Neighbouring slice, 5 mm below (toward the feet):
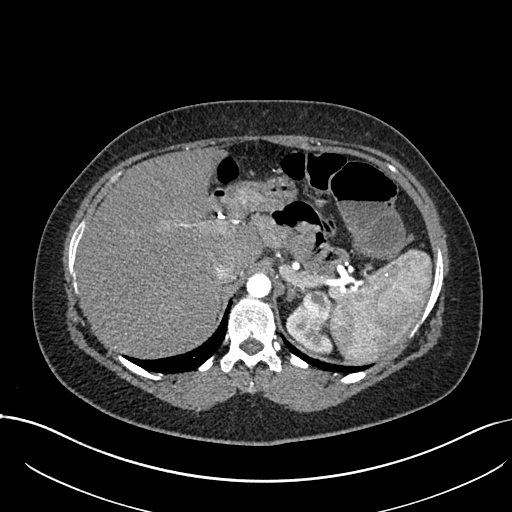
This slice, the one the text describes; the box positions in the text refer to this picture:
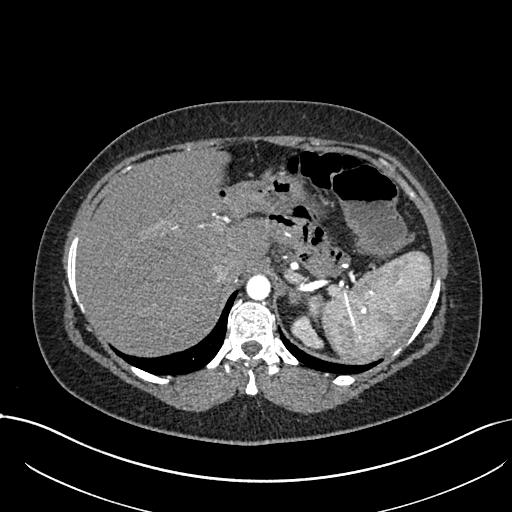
Abdominal CT with intravenous contrast, arterial phase, axial plane, 120 kVp, kernel I30f. Slice 573/738 from the bottom of the scan; thickness 1.00 mm; pixel size 0.789 mm.
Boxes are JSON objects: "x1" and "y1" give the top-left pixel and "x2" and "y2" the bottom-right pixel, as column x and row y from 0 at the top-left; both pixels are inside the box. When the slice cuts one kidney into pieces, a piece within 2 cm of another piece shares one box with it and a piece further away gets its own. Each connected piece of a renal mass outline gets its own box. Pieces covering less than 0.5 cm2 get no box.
One kidney box and one renal mass box on this slice; by box centre, from the image's left to its right: (1) Box {"x1": 290, "y1": 316, "x2": 323, "y2": 349}: left kidney (outlined area 638 px, about 4.0 cm2). (2) Box {"x1": 304, "y1": 293, "x2": 324, "y2": 320}: left renal mass (outlined area 354 px, about 2.2 cm2). This slice lies near the end of the left renal mass toward the head; the slice 5 mm below it is shown too, and the boxes mark positions on this slice only.